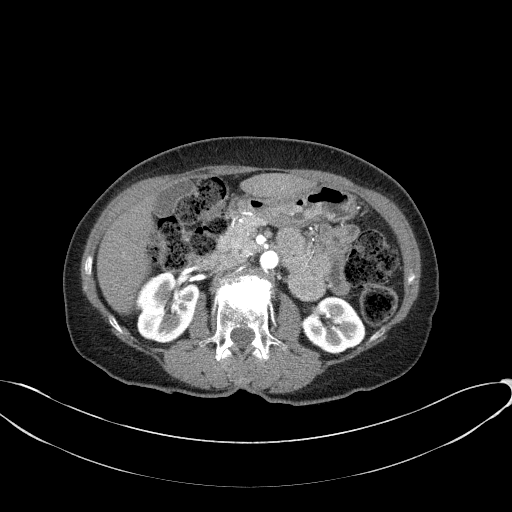
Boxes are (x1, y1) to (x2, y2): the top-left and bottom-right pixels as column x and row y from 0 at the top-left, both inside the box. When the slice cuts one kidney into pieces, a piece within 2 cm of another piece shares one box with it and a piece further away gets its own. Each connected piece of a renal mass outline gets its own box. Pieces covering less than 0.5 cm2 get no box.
Slice 32/77 of a contrast-enhanced abdominal CT in the arterial phase, counting up from the lowest; pixel size 0.809 mm, slice thickness 3.00 mm. Two kidney boxes on this slice; by box centre, from the image's left to its right: (1) Right kidney, box (135, 271) to (200, 343) (outlined area 3,547 px, about 23.2 cm2). (2) Left kidney from (302, 295) to (365, 354) (outlined area 2,705 px, about 17.7 cm2). No renal mass is outlined on this slice.
Acquired at 100 kVp and reconstructed with the B41f kernel.